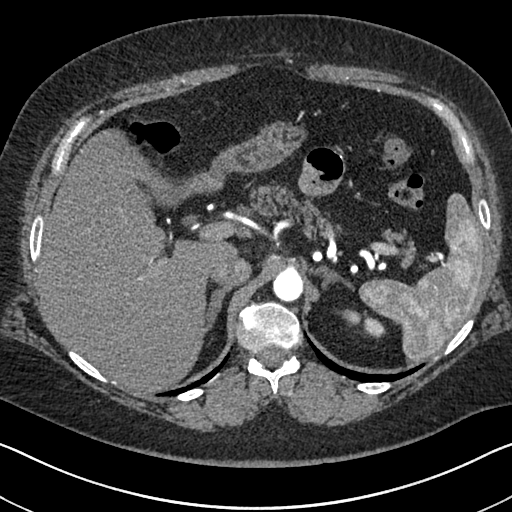
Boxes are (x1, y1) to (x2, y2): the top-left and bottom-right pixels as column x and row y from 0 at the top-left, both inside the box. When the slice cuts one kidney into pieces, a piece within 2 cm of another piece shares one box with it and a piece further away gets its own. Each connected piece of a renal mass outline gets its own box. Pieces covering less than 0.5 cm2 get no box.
Arterial-phase contrast-enhanced abdominal CT, axial slice 513 of 591 (counted from the lowest slice); 1.00 mm thick, 0.703 mm per pixel. Left kidney, box (340, 309) to (385, 338) (outlined area 577 px, about 2.9 cm2). This slice carries no renal mass outline.
Acquired at 140 kVp and reconstructed with the I30f kernel.